One axial slice (150 of 302, counting up from the lowest) of an arterial-phase abdominal CT acquired with 100 kVp, kernel I30f; each pixel is 0.875 mm and the slice is 5.00 mm thick.
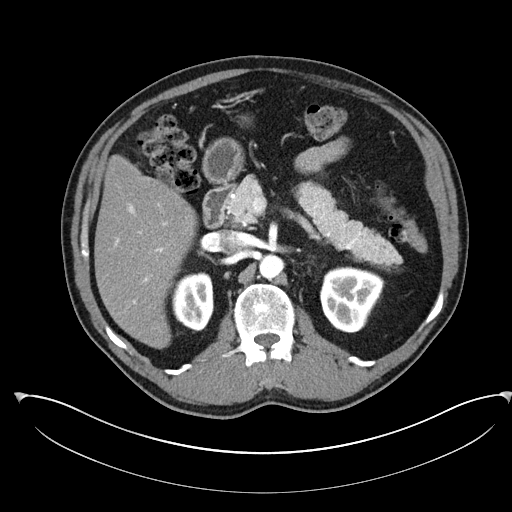
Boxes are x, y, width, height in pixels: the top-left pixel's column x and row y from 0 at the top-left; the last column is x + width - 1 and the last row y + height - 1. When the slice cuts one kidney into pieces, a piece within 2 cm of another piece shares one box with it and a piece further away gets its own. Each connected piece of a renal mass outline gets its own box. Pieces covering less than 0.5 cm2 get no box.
Two boxes on this slice (two kidney boxes), listed by box centre from the image's left to its right. (1) Box x 171, y 272, width 44, height 60: right kidney (outlined area 2,022 px, about 15.5 cm2). (2) Left kidney at x 320, y 266, width 65, height 67 (outlined area 3,259 px, about 25.0 cm2). No renal mass is outlined on this slice.